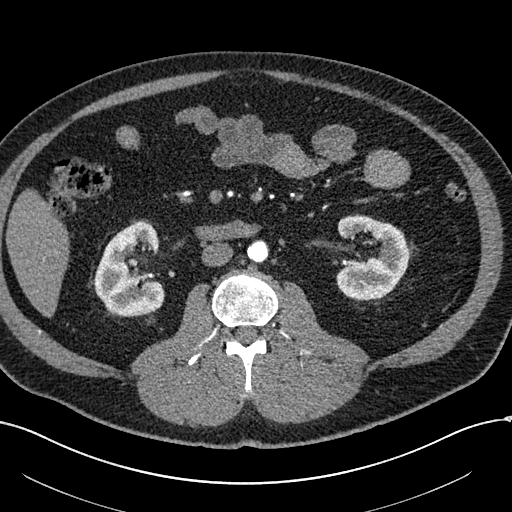
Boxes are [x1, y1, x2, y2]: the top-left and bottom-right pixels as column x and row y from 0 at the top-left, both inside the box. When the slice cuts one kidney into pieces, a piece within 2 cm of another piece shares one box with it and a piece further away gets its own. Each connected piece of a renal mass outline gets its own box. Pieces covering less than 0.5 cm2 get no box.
This is axial slice 284 of 602 (slice 1 is the lowest) of an arterial-phase abdominal CT with contrast; each pixel is 0.799 mm and the slice is 1.00 mm thick. Two kidney boxes on this slice; by box centre, from the image's left to its right: (1) Right kidney at [94, 222, 164, 316] (outlined area 4,782 px, about 30.5 cm2). (2) Left kidney at [335, 215, 409, 300] (outlined area 4,523 px, about 28.9 cm2). No renal mass outline on this slice.
Tube voltage 120 kVp; convolution kernel I30f.